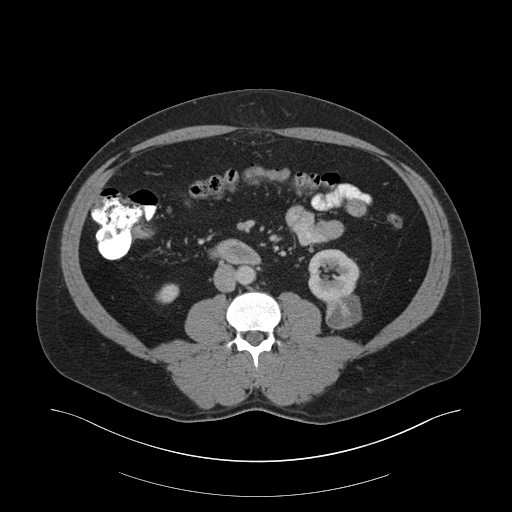
One axial slice (91 of 159, counting up from the lowest) of an arterial-phase abdominal CT acquired with 140 kVp, kernel B30f; each pixel is 0.977 mm and the slice is 3.00 mm thick.
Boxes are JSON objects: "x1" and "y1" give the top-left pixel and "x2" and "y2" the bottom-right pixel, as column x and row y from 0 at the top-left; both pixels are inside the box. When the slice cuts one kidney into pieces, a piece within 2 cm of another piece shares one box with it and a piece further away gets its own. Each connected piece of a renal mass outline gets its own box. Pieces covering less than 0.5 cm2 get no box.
Two kidney boxes and one renal mass box on this slice; by box centre, from the image's left to its right: (1) Right kidney at {"x1": 156, "y1": 283, "x2": 179, "y2": 303} (outlined area 359 px, about 3.4 cm2). (2) Box {"x1": 307, "y1": 249, "x2": 360, "y2": 306}: left kidney (outlined area 2,197 px, about 21.0 cm2). (3) Left renal mass, box {"x1": 325, "y1": 295, "x2": 361, "y2": 329} (outlined area 982 px, about 9.4 cm2).